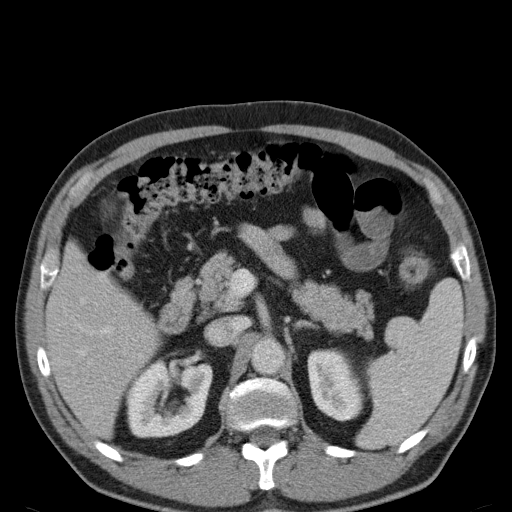
Axial slice 74 of 107 of a contrast-enhanced abdominal CT (slice 1 is the lowest), 120 kVp, kernel B31f; 5.00 mm slice thickness and 0.730 mm pixels.
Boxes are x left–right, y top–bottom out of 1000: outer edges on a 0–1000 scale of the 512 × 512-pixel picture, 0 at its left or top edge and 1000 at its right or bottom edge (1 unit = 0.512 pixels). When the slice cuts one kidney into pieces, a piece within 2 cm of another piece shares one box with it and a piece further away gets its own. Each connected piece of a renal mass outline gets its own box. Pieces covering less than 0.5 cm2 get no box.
Two kidney boxes on this slice; by box centre, from the image's left to its right: (1) Right kidney, box x 244–416, y 703–857 out of 1000 (outlined area 5,293 px, about 28.2 cm2). (2) Box x 600–713, y 680–824 out of 1000: left kidney (outlined area 3,245 px, about 17.3 cm2). No renal mass is outlined on this slice.